One axial slice (61 of 96, counting up from the lowest) of an arterial-phase abdominal CT acquired with 120 kVp, kernel I40f; each pixel is 0.840 mm and the slice is 5.00 mm thick.
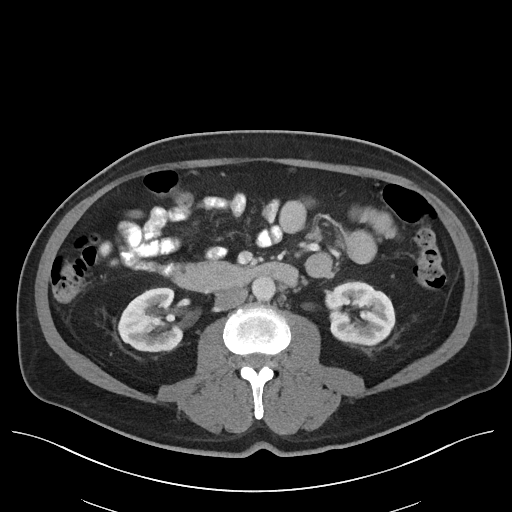
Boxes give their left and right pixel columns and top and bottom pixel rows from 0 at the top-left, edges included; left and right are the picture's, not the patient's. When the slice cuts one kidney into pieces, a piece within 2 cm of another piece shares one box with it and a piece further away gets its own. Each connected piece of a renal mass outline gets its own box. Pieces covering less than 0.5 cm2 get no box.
Two kidney boxes on this slice; by box centre, from the image's left to its right: (1) Right kidney, the box with left 117, top 287, right 183, bottom 352 (outlined area 3,255 px, about 23.0 cm2). (2) Left kidney, the box with left 325, top 281, right 395, bottom 346 (outlined area 3,443 px, about 24.3 cm2). No renal mass is outlined on this slice.